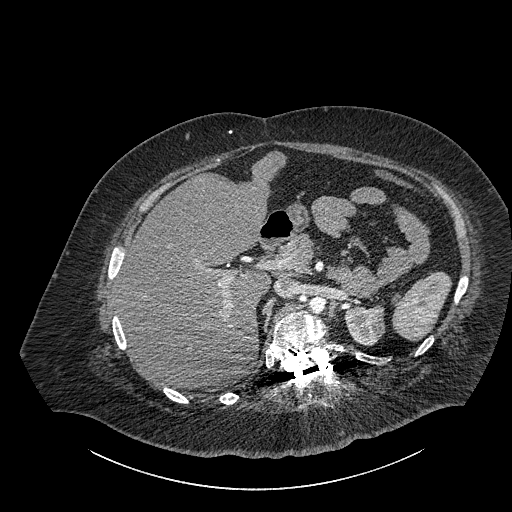
One axial slice (623 of 834, counting up from the lowest) of a contrast-enhanced abdominal CT acquired with 140 kVp, kernel I30f; each pixel is 0.977 mm and the slice is 1.00 mm thick.
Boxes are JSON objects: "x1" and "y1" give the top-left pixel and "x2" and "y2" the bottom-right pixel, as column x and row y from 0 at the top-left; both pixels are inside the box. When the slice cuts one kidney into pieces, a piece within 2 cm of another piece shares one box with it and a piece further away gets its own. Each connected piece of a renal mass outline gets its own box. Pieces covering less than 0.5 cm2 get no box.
Left part of the midline-crossing kidney at {"x1": 344, "y1": 304, "x2": 385, "y2": 346} (outlined area 1,338 px, about 12.8 cm2). No renal mass outline on this slice.